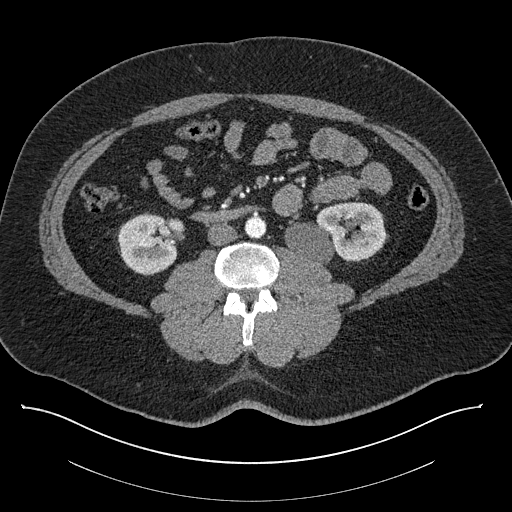
Contrast-enhanced abdominal CT, axial slice 416 of 787 (counted from the lowest slice); tube voltage 140 kVp, convolution kernel I30f; slices 1.00 mm thick, 0.910 mm per pixel.
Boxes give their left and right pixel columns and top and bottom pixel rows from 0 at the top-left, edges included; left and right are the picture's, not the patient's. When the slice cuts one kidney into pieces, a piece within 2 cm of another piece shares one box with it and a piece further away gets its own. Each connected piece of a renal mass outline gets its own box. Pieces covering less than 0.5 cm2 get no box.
Two kidney boxes on this slice; by box centre, from the image's left to its right: (1) Right kidney in the box with left 117, top 213, right 183, bottom 275 (outlined area 3,033 px, about 25.1 cm2). (2) Box with left 284, top 202, right 386, bottom 264: left kidney (outlined area 4,692 px, about 38.9 cm2). This slice carries no renal mass outline.